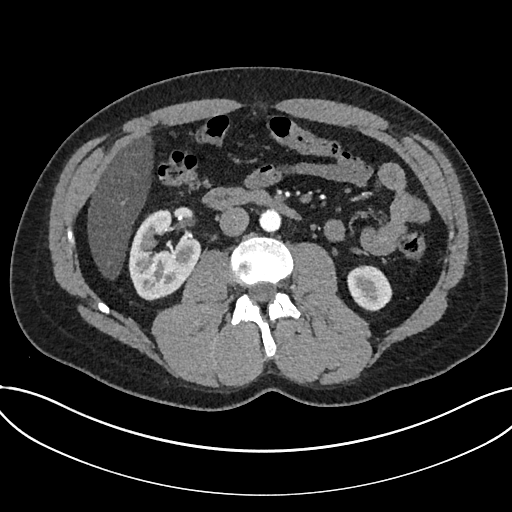
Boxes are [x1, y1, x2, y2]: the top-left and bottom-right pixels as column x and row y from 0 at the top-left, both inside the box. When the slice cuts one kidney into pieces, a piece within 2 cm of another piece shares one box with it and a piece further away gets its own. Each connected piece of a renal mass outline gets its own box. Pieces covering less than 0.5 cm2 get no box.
Slice 376/735 of a contrast-enhanced abdominal CT in the arterial phase, counting up from the lowest; pixel size 0.789 mm, slice thickness 1.00 mm. Boxed on this slice (two kidney boxes), listed by box centre from the image's left to its right: (1) Box [128, 209, 200, 300]: kidney (outlined area 4,441 px, about 27.7 cm2). (2) Kidney at [347, 265, 392, 311] (outlined area 1,600 px, about 10.0 cm2). This slice carries no renal mass outline.
Scan settings: 120 kVp, I30f reconstruction kernel.